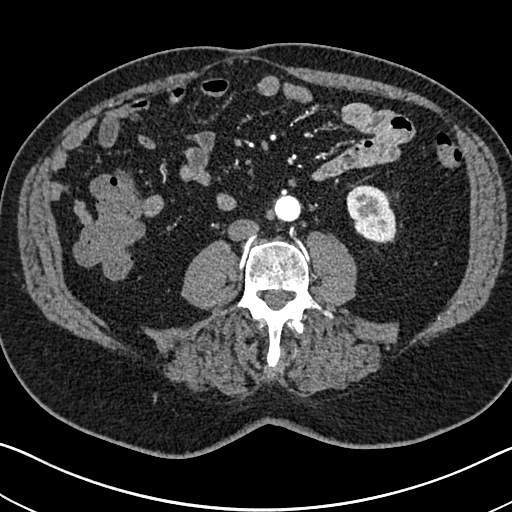
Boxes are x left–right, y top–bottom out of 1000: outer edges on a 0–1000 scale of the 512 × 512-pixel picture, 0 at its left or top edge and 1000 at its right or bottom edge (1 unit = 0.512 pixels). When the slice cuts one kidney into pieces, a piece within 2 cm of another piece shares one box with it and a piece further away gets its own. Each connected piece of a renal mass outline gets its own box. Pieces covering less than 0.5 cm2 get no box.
Slice 291/705 of a contrast-enhanced abdominal CT in the arterial phase, counting up from the lowest; pixel size 0.703 mm, slice thickness 1.00 mm. Left kidney, box x 676–775, y 361–477 out of 1000 (outlined area 2,249 px, about 11.1 cm2). No renal mass outline on this slice.
Acquired at 120 kVp and reconstructed with the I30f kernel.